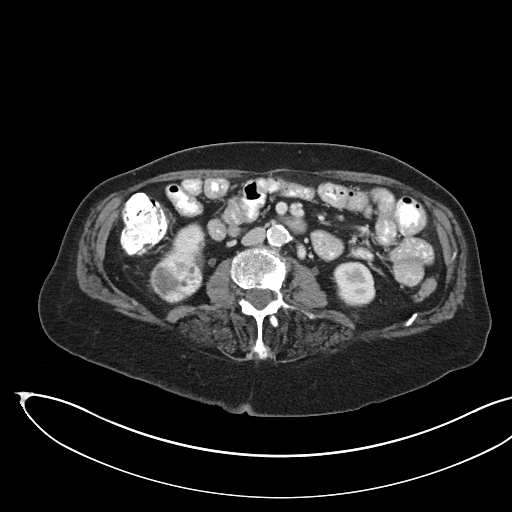
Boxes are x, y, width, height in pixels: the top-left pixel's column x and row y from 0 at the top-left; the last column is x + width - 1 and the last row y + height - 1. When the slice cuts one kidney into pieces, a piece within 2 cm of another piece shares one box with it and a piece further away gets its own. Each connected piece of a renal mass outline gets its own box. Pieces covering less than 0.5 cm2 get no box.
Arterial-phase contrast-enhanced abdominal CT, axial slice 87 of 145 (counted from the lowest slice); 3.00 mm thick, 0.834 mm per pixel. Boxed on this slice (two kidney boxes and one renal mass box), listed by box centre from the image's left to its right: (1) Box x 150, y 253, width 53, height 51: renal mass (outlined area 1,934 px, about 13.5 cm2). (2) Kidney, box x 167, y 223, width 37, height 42 (outlined area 912 px, about 6.3 cm2). (3) Kidney, box x 333, y 262, width 43, height 45 (outlined area 1,534 px, about 10.7 cm2).
Scan settings: 100 kVp, I40f reconstruction kernel.